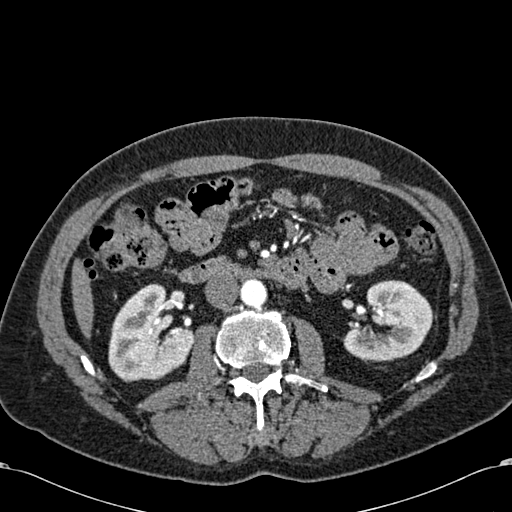
One axial slice (329 of 581, counting up from the lowest) of an arterial-phase abdominal CT acquired with 120 kVp, kernel B30f; each pixel is 0.713 mm and the slice is 1.00 mm thick.
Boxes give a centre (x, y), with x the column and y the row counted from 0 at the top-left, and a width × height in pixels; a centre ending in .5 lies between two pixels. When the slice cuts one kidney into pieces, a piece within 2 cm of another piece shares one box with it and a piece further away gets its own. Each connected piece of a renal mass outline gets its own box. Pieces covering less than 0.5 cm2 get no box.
Boxed on this slice (two kidney boxes), listed by box centre from the image's left to its right: (1) Right kidney in a box with centre (150.5, 331.5), 86 × 98 pixels (outlined area 5,970 px, about 30.3 cm2). (2) Box centre (388, 320), 93 × 81 pixels: left kidney (outlined area 5,160 px, about 26.2 cm2). No renal mass outline on this slice.